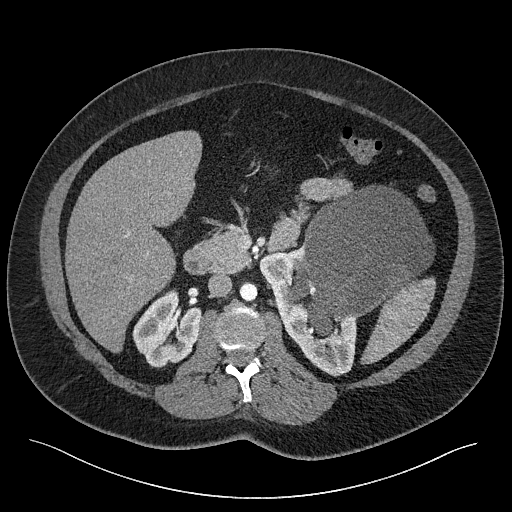
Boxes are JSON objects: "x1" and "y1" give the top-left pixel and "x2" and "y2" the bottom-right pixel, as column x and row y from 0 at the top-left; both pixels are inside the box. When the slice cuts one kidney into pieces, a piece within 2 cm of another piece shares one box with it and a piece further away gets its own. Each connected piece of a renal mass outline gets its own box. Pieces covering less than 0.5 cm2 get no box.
This is axial slice 139 of 301 (slice 1 is the lowest) of an abdominal CT with contrast; each pixel is 0.859 mm and the slice is 2.00 mm thick. Three boxes on this slice (two kidney boxes and one renal mass box), listed by box centre from the image's left to its right. (1) Right kidney, box {"x1": 132, "y1": 288, "x2": 201, "y2": 367} (outlined area 3,647 px, about 26.9 cm2). (2) Left kidney at {"x1": 259, "y1": 246, "x2": 356, "y2": 376} (outlined area 4,618 px, about 34.1 cm2). (3) Left renal mass, box {"x1": 289, "y1": 185, "x2": 434, "y2": 336} (outlined area 14,152 px, about 104.5 cm2).
Scan settings: 120 kVp, I40f reconstruction kernel.